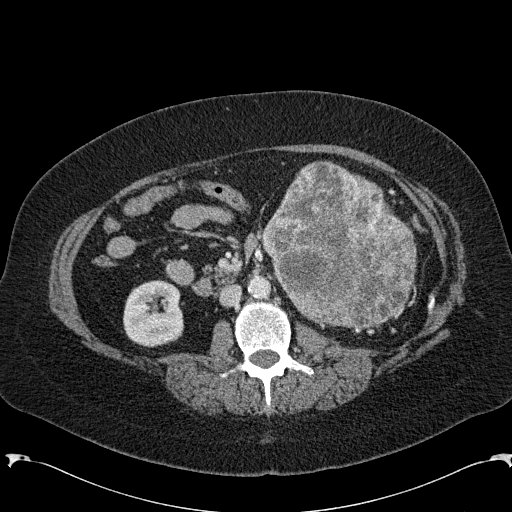
One axial slice (113 of 285, counting up from the lowest) of an arterial-phase abdominal CT acquired with 120 kVp, kernel B31f; each pixel is 0.762 mm and the slice is 2.00 mm thick.
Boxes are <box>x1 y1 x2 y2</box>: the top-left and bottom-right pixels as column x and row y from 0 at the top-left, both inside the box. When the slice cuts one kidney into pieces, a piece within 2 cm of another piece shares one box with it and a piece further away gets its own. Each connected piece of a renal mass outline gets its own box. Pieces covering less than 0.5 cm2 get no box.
One kidney box and one renal mass box on this slice; by box centre, from the image's left to its right: (1) Right kidney: <box>123 280 183 347</box> (outlined area 3,346 px, about 19.4 cm2). (2) Left renal mass at <box>261 160 416 328</box> (outlined area 19,007 px, about 110.3 cm2); here it is more than 1 cm from any kidney outline, though on another slice the same outlined renal mass lies within 1 cm of the kidney.